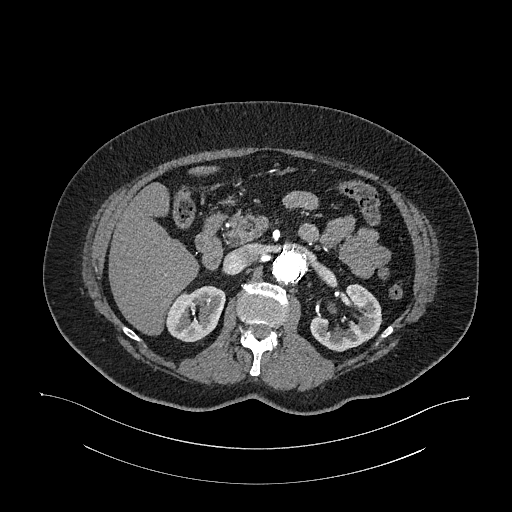
Axial slice 690 of 987 of a contrast-enhanced abdominal CT in the arterial phase (slice 1 is the lowest), 120 kVp, kernel I26f; 1.00 mm slice thickness and 0.977 mm pixels.
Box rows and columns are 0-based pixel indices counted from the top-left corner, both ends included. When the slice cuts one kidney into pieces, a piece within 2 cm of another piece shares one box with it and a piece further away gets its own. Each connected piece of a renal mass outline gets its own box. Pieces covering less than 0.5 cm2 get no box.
Two boxes on this slice (two kidney boxes), listed by box centre from the image's left to its right. (1) Right kidney at rows 285–342, columns 165–225 (outlined area 2,501 px, about 23.9 cm2). (2) Box rows 284–351, columns 310–381: left kidney (outlined area 2,834 px, about 27.0 cm2). No renal mass outline on this slice.